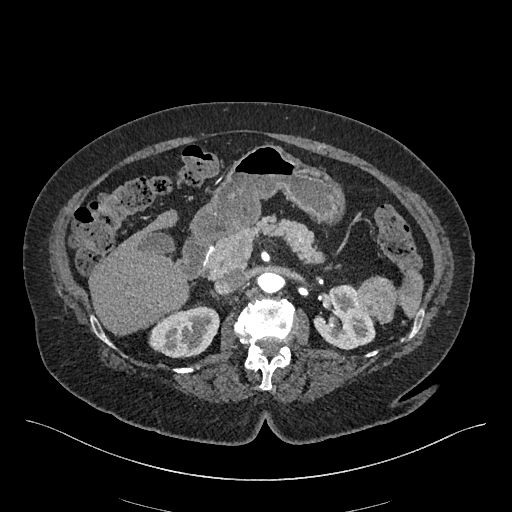
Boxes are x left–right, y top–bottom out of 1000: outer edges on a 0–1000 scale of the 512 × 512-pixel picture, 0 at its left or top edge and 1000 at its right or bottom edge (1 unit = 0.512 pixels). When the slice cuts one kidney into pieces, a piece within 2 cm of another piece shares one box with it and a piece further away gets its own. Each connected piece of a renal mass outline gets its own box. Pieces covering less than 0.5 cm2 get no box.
This is axial slice 283 of 548 (slice 1 is the lowest) of an arterial-phase abdominal CT with contrast; each pixel is 0.852 mm and the slice is 1.00 mm thick. Three boxes on this slice (two kidney boxes and one renal mass box), listed by box centre from the image's left to its right. (1) Box x 289–430, y 594–701 out of 1000: right kidney (outlined area 2,793 px, about 20.3 cm2). (2) Left kidney, box x 611–734, y 557–684 out of 1000 (outlined area 2,735 px, about 19.8 cm2). (3) Left renal mass at x 697–775, y 537–635 out of 1000 (outlined area 1,442 px, about 10.5 cm2).
Tube voltage 120 kVp; convolution kernel I26f.